Axial slice 268 of 665 of a contrast-enhanced abdominal CT in the arterial phase (slice 1 is the lowest), 100 kVp, kernel I26f; 1.00 mm slice thickness and 0.828 mm pixels.
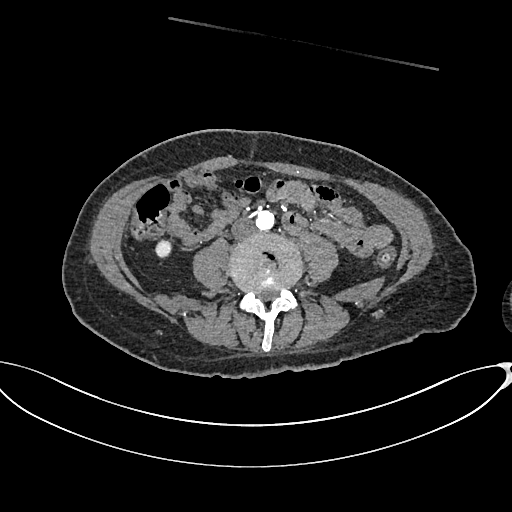
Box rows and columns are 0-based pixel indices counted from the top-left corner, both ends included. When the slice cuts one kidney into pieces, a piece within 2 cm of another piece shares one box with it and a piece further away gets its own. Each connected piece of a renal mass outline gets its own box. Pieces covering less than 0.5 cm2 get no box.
Right kidney at rows 239–258, columns 156–172 (outlined area 262 px, about 1.8 cm2). This slice carries no renal mass outline.